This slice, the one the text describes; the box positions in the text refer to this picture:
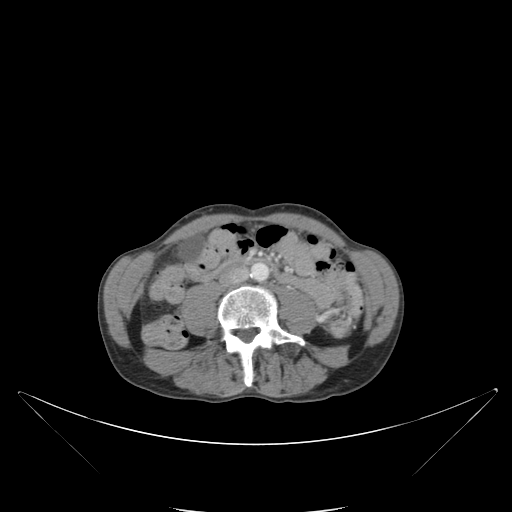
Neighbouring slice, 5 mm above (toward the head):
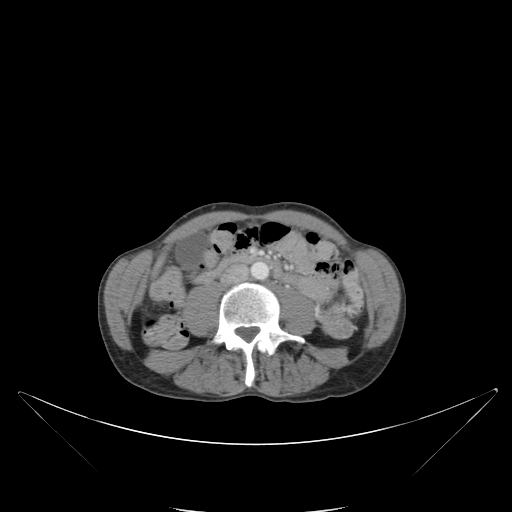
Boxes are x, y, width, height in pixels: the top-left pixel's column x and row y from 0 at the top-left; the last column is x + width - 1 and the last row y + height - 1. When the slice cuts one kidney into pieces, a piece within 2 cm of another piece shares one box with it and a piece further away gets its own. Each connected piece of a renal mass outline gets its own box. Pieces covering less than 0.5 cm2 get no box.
Contrast-enhanced abdominal CT, axial slice 47 of 88 (counted from the lowest slice); 5.00 mm thick, 0.865 mm per pixel. Left renal mass, box x 327, y 320, width 27, height 19 (outlined area 366 px, about 2.7 cm2); no kidney outline appears on this slice, but the same outlined renal mass comes within 1 cm of the kidney on another slice. This slice is near the end of the left renal mass toward the feet, so the slice 5 mm above it is shown as well; the boxes refer to this slice only.
Acquired at 120 kVp and reconstructed with the B kernel.